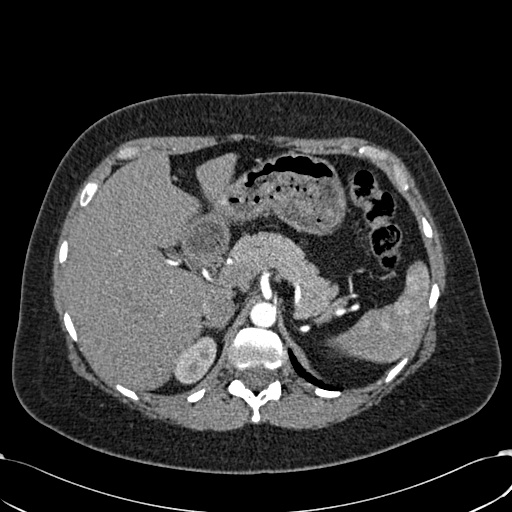
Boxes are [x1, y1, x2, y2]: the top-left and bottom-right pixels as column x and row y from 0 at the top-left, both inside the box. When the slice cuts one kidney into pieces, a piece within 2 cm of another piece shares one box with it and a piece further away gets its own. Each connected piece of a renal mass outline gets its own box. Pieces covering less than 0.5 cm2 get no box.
This is axial slice 452 of 532 (slice 1 is the lowest) of an arterial-phase abdominal CT with contrast; each pixel is 0.713 mm and the slice is 1.00 mm thick. Right kidney at [173, 336, 216, 384] (outlined area 1,452 px, about 7.4 cm2). This slice carries no renal mass outline.
Scan settings: 120 kVp, B30f reconstruction kernel.